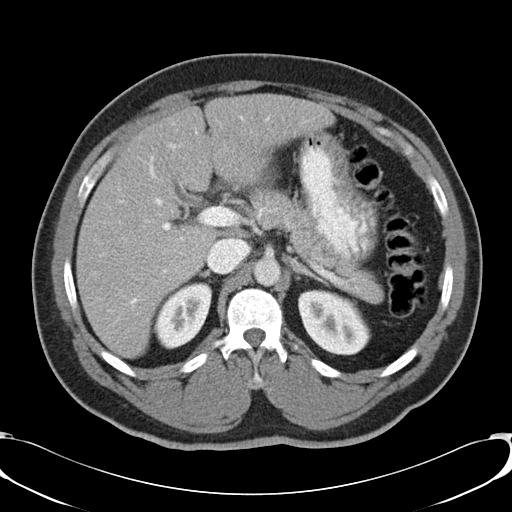
One axial slice (28 of 48, counting up from the lowest) of a contrast-enhanced abdominal CT acquired with 120 kVp, kernel B30f; each pixel is 0.736 mm and the slice is 5.00 mm thick.
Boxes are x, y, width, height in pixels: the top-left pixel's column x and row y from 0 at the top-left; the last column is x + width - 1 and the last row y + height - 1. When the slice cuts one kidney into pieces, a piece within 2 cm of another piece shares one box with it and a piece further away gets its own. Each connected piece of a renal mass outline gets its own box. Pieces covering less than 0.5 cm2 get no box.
Boxed on this slice (two kidney boxes), listed by box centre from the image's left to its right: (1) Box x 152, y 282, width 61, height 68: right kidney (outlined area 2,833 px, about 15.4 cm2). (2) Left kidney at x 298, y 289, width 74, height 67 (outlined area 3,529 px, about 19.1 cm2). No renal mass outline on this slice.